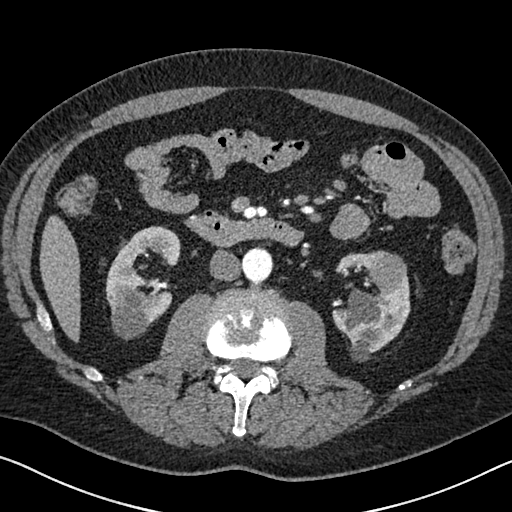
One axial slice (348 of 626, counting up from the lowest) of an arterial-phase abdominal CT acquired with 120 kVp, kernel I30f; each pixel is 0.703 mm and the slice is 1.00 mm thick.
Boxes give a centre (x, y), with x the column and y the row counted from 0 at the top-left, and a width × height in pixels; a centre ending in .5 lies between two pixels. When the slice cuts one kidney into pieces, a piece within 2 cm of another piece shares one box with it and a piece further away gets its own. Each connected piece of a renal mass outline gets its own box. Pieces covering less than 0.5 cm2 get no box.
Boxed on this slice (two kidney boxes and one renal mass box), listed by box centre from the image's left to its right: (1) Right kidney, box centre (142, 283), 75 × 115 pixels (outlined area 5,283 px, about 26.1 cm2). (2) Left kidney, box centre (370.5, 306), 80 × 111 pixels (outlined area 4,805 px, about 23.8 cm2). (3) Left renal mass, box centre (387, 271), 39 × 43 pixels (outlined area 1,176 px, about 5.8 cm2).